Arterial-phase contrast-enhanced abdominal CT, axial slice 150 of 279 (counted from the lowest slice); tube voltage 120 kVp, convolution kernel B31f; slices 2.00 mm thick, 0.824 mm per pixel.
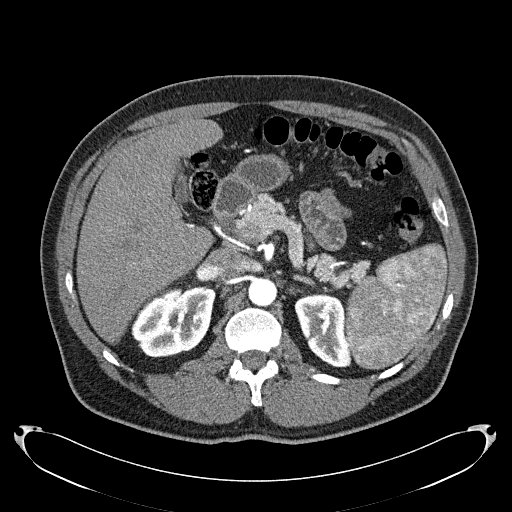
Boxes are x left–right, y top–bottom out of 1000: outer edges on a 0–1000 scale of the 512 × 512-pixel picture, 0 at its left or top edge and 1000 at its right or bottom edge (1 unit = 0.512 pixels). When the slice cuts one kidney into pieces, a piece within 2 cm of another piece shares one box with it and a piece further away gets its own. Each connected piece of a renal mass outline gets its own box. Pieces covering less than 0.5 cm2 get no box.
Boxed on this slice (two kidney boxes), listed by box centre from the image's left to its right: (1) Box x 256–422, y 559–699 out of 1000: right kidney (outlined area 4,511 px, about 30.6 cm2). (2) Left kidney, box x 574–688, y 572–719 out of 1000 (outlined area 2,961 px, about 20.1 cm2). No renal mass is outlined on this slice.